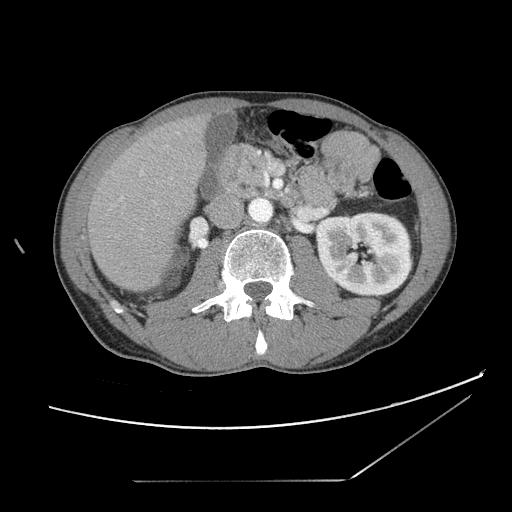
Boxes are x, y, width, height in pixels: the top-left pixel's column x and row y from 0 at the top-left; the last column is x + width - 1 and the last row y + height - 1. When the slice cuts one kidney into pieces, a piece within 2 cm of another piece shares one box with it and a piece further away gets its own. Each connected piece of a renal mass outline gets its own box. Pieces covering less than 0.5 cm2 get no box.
Slice 62/121 of a contrast-enhanced abdominal CT, counting up from the lowest; pixel size 0.742 mm, slice thickness 2.50 mm. Left kidney, box x 316, y 211, width 98, height 87 (outlined area 6,797 px, about 37.4 cm2). This slice carries no renal mass outline.
Scan settings: 120 kVp, STANDARD reconstruction kernel.